One axial slice (104 of 274, counting up from the lowest) of an arterial-phase abdominal CT acquired with 120 kVp, kernel B30f; each pixel is 0.809 mm and the slice is 2.00 mm thick.
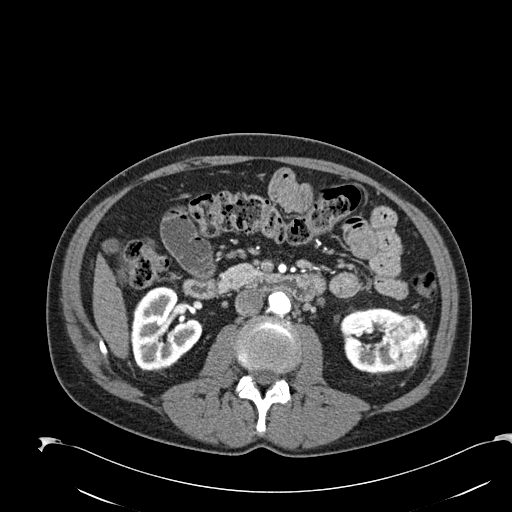
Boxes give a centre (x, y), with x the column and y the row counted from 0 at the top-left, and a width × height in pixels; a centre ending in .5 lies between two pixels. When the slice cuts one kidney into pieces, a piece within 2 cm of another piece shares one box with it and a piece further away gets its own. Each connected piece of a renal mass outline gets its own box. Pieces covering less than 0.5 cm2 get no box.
Boxed on this slice (two kidney boxes and one renal mass box), listed by box centre from the image's left to its right: (1) Right kidney, box centre (167, 329.5), 73 × 86 pixels (outlined area 4,380 px, about 28.6 cm2). (2) Left kidney, box centre (372.5, 341.5), 66 × 68 pixels (outlined area 2,864 px, about 18.7 cm2). (3) Box centre (407, 342), 43 × 57 pixels: left renal mass (outlined area 1,764 px, about 11.5 cm2).